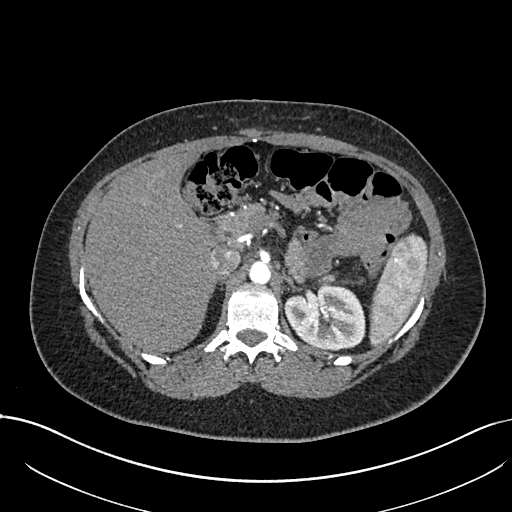
One axial slice (506 of 738, counting up from the lowest) of an arterial-phase abdominal CT acquired with 120 kVp, kernel I30f; each pixel is 0.789 mm and the slice is 1.00 mm thick.
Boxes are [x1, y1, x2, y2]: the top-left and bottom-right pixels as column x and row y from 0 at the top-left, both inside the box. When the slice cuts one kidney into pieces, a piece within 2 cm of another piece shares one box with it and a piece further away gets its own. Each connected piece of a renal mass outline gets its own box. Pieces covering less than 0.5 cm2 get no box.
Left kidney, box [283, 283, 365, 350] (outlined area 4,239 px, about 26.4 cm2). No renal mass is outlined on this slice.